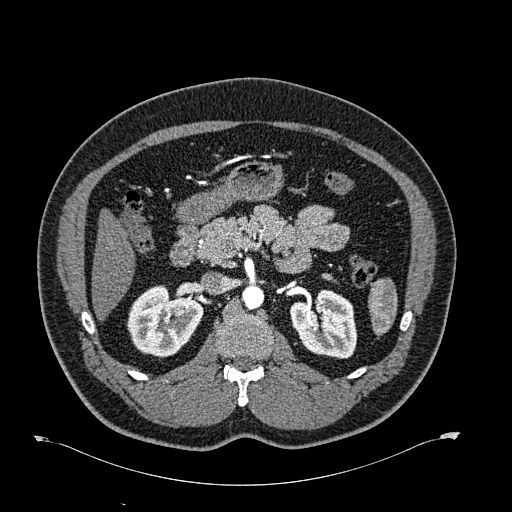
Axial slice 406 of 723 of a contrast-enhanced abdominal CT in the arterial phase (slice 1 is the lowest), 120 kVp, kernel B30f; 1.00 mm slice thickness and 0.895 mm pixels.
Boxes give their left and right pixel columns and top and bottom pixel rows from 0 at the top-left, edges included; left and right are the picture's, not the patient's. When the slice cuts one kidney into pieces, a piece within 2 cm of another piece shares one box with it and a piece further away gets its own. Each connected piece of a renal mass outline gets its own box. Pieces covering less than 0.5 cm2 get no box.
Two boxes on this slice (two kidney boxes), listed by box centre from the image's left to its right. (1) Right kidney, the box with left 126, top 285, right 203, bottom 357 (outlined area 4,013 px, about 32.1 cm2). (2) Left kidney, the box with left 290, top 289, right 357, bottom 358 (outlined area 3,557 px, about 28.5 cm2). This slice carries no renal mass outline.